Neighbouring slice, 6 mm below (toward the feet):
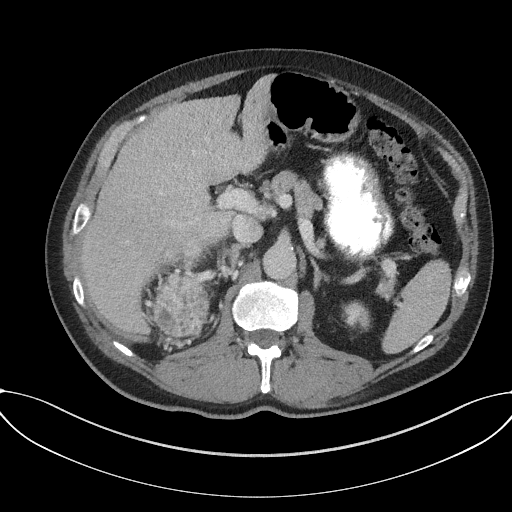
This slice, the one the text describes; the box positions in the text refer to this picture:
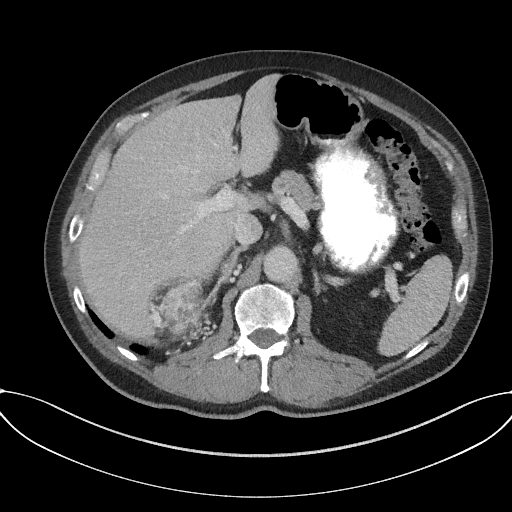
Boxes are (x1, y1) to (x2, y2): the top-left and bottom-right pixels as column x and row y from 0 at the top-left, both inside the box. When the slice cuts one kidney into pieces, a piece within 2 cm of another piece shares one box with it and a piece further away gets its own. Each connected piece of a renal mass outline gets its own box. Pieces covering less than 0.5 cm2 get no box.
Arterial-phase contrast-enhanced abdominal CT, axial slice 110 of 227 (counted from the lowest slice); 3.00 mm thick, 0.816 mm per pixel. Right renal mass from (160, 280) to (203, 334) (outlined area 1,927 px, about 12.8 cm2); this slice has no kidney outline, though on another slice the same outlined renal mass lies within 1 cm of the kidney. This slice is near the end of the right renal mass toward the head, so the slice 6 mm below it is shown as well; the boxes refer to this slice only.
Acquired at 120 kVp and reconstructed with the I31f kernel.